Axial slice 79 of 195 of a contrast-enhanced abdominal CT in the arterial phase (slice 1 is the lowest), 100 kVp, kernel I31f; 1.50 mm slice thickness and 0.707 mm pixels.
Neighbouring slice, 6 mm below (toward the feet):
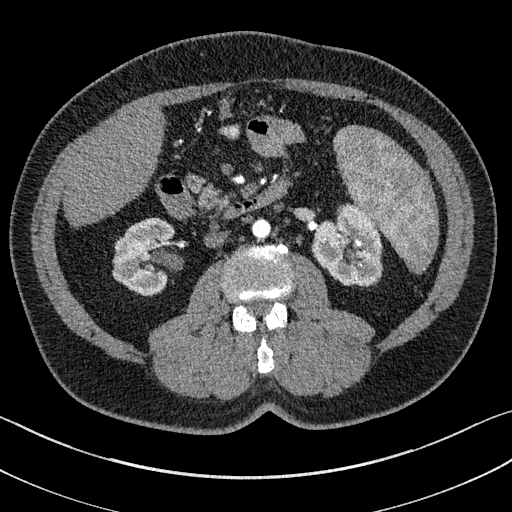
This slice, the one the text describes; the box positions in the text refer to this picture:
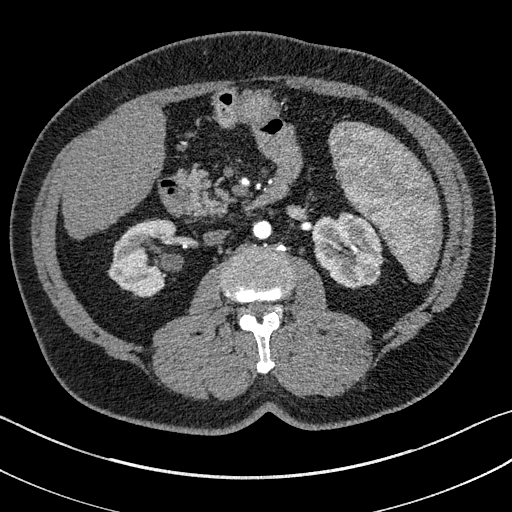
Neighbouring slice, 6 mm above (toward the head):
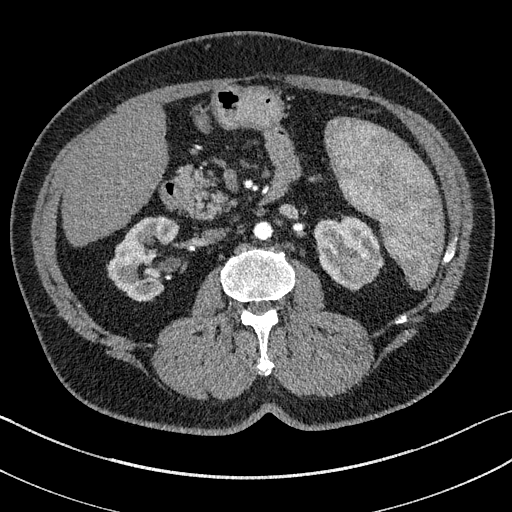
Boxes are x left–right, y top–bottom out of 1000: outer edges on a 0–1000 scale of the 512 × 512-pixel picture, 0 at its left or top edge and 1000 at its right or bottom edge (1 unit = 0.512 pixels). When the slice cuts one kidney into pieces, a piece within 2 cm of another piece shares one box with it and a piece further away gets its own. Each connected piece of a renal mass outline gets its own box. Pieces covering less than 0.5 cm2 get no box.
Boxed on this slice (two kidney boxes and one renal mass box), listed by box centre from the image's left to its right: (1) Right kidney, box x 211–344, y 428–580 out of 1000 (outlined area 3,566 px, about 17.8 cm2). (2) Box x 607–750, y 414–563 out of 1000: left kidney (outlined area 3,975 px, about 19.9 cm2). (3) Left renal mass, box x 711–734, y 514–539 out of 1000 (outlined area 130 px, about 0.6 cm2). This slice is near the end of the left renal mass toward the feet, so the slices 6 mm below and 6 mm above it are shown as well; the boxes refer to this slice only.